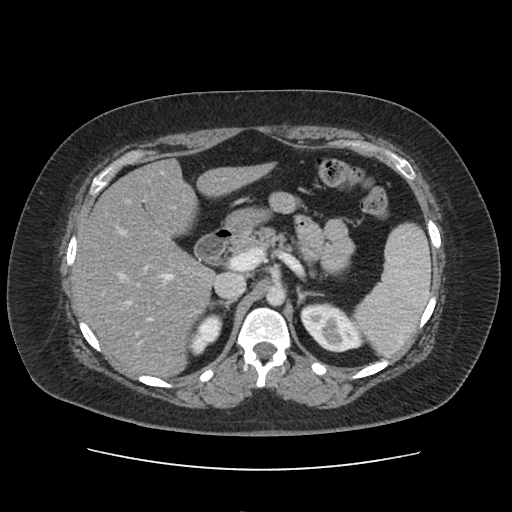
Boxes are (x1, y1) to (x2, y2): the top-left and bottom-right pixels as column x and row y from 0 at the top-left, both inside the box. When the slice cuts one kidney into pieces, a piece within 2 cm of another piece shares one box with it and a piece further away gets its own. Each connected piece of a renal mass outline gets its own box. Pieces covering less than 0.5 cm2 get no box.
Arterial-phase contrast-enhanced abdominal CT, axial slice 79 of 103 (counted from the lowest slice); 5.00 mm thick, 0.873 mm per pixel. Boxed on this slice (two kidney boxes), listed by box centre from the image's left to its right: (1) Right kidney from (187, 313) to (222, 355) (outlined area 913 px, about 7.0 cm2). (2) Left kidney from (300, 302) to (361, 352) (outlined area 2,158 px, about 16.4 cm2). No renal mass outline on this slice.
Acquired at 120 kVp and reconstructed with the FC19 kernel.